Arterial-phase contrast-enhanced abdominal CT, axial slice 129 of 159 (counted from the lowest slice); tube voltage 140 kVp, convolution kernel B30f; slices 3.00 mm thick, 0.977 mm per pixel.
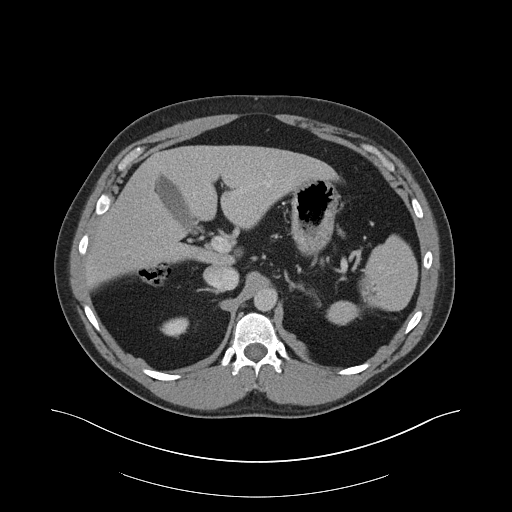
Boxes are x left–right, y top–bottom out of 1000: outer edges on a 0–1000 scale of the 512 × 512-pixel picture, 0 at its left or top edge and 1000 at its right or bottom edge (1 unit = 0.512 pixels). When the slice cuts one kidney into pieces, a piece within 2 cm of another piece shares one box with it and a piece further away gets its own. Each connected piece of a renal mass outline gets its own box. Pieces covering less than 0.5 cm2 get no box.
Right kidney at x 314–369, y 619–658 out of 1000 (outlined area 423 px, about 4.0 cm2). This slice carries no renal mass outline.